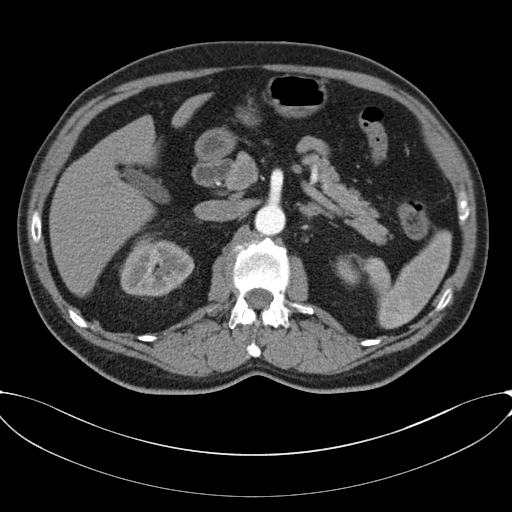
Abdominal CT with intravenous contrast, axial plane, 120 kVp, kernel B30f. Slice 44/80 from the bottom of the scan; thickness 3.00 mm; pixel size 0.822 mm.
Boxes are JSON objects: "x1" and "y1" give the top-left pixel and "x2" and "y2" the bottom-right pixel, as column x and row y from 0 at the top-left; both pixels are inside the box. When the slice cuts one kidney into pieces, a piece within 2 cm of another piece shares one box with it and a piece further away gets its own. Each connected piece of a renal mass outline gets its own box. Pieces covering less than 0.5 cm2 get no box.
Two kidney boxes on this slice; by box centre, from the image's left to its right: (1) Box {"x1": 120, "y1": 237, "x2": 194, "y2": 296}: right kidney (outlined area 3,308 px, about 22.4 cm2). (2) Box {"x1": 335, "y1": 256, "x2": 359, "y2": 284}: left kidney (outlined area 490 px, about 3.3 cm2). No renal mass outline on this slice.